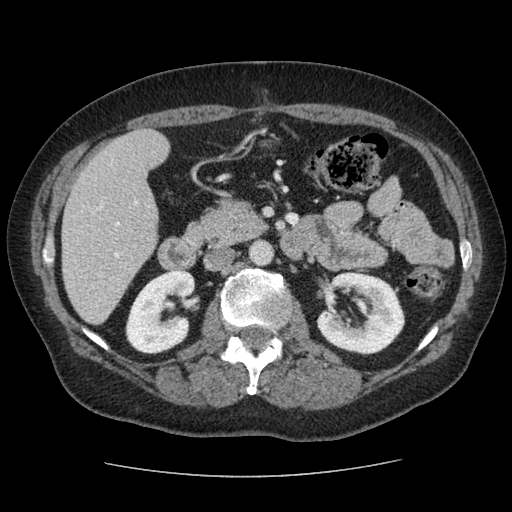
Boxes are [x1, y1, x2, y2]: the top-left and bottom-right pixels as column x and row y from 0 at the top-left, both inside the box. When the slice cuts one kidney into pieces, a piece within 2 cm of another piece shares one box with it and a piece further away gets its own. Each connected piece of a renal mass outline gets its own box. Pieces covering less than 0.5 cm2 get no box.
This is axial slice 47 of 96 (slice 1 is the lowest) of an arterial-phase abdominal CT with contrast; each pixel is 0.689 mm and the slice is 2.50 mm thick. Boxed on this slice (two kidney boxes), listed by box centre from the image's left to its right: (1) Right kidney at [125, 270, 195, 354] (outlined area 4,366 px, about 20.8 cm2). (2) Left kidney, box [316, 271, 405, 355] (outlined area 5,302 px, about 25.2 cm2). No renal mass outline on this slice.
Tube voltage 120 kVp; convolution kernel STANDARD.